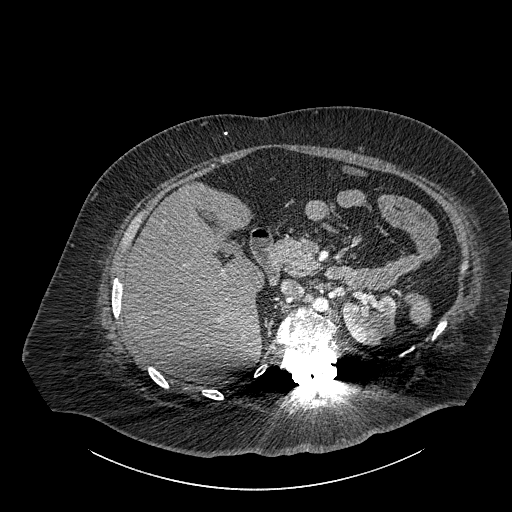
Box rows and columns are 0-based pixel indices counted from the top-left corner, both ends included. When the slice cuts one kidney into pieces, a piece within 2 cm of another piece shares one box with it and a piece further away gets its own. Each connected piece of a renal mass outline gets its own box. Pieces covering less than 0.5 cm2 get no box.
Slice 595/834 of a contrast-enhanced abdominal CT, counting up from the lowest; pixel size 0.977 mm, slice thickness 1.00 mm. Box rows 294–344, columns 342–395: left part of the midline-crossing kidney (outlined area 2,182 px, about 20.8 cm2). No renal mass outline on this slice.
Scan settings: 140 kVp, I30f reconstruction kernel.